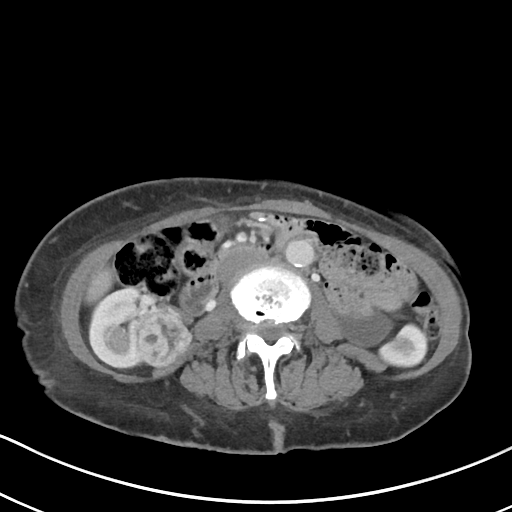
One axial slice (50 of 80, counting up from the lowest) of an arterial-phase abdominal CT acquired with 100 kVp, kernel I40f; each pixel is 0.648 mm and the slice is 5.00 mm thick.
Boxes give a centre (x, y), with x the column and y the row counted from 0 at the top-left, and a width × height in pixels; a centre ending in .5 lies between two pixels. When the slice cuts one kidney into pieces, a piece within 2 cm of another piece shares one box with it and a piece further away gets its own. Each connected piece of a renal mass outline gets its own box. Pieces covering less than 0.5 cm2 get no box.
Boxed on this slice (two kidney boxes and one renal mass box), listed by box centre from the image's left to its right: (1) Right kidney in a box with centre (129.5, 328), 80 × 79 pixels (outlined area 3,653 px, about 15.4 cm2). (2) Right renal mass in a box with centre (164.5, 337), 54 × 59 pixels (outlined area 2,260 px, about 9.5 cm2). (3) Left kidney, box centre (382.5, 338), 84 × 55 pixels (outlined area 2,673 px, about 11.2 cm2).